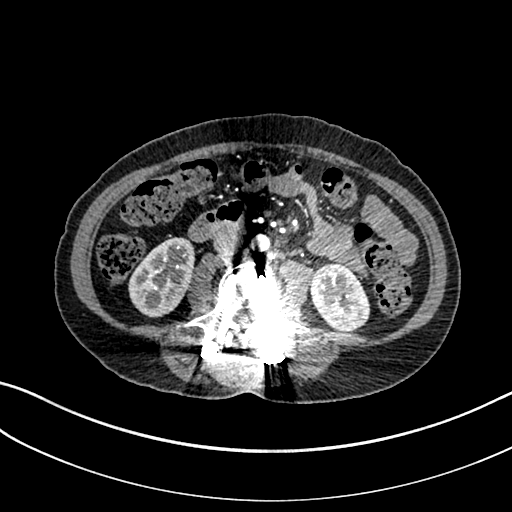
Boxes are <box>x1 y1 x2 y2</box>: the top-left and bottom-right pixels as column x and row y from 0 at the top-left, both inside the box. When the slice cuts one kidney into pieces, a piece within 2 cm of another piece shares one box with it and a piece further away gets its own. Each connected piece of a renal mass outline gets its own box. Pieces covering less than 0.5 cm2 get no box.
This is axial slice 99 of 325 (slice 1 is the lowest) of an arterial-phase abdominal CT with contrast; each pixel is 0.703 mm and the slice is 1.00 mm thick. Two boxes on this slice (two kidney boxes), listed by box centre from the image's left to its right. (1) Right kidney: <box>128 237 195 317</box> (outlined area 3,826 px, about 18.9 cm2). (2) At <box>310 263 370 331</box>: left kidney (outlined area 3,096 px, about 15.3 cm2). This slice carries no renal mass outline.
Tube voltage 100 kVp; convolution kernel I30f.